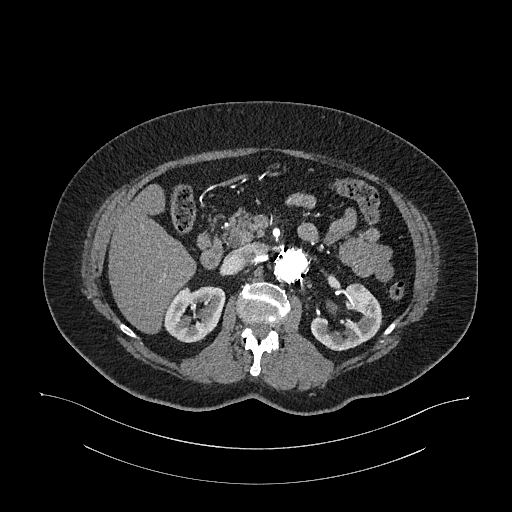
Axial slice 685 of 987 of a contrast-enhanced abdominal CT in the arterial phase (slice 1 is the lowest), 120 kVp, kernel I26f; 1.00 mm slice thickness and 0.977 mm pixels.
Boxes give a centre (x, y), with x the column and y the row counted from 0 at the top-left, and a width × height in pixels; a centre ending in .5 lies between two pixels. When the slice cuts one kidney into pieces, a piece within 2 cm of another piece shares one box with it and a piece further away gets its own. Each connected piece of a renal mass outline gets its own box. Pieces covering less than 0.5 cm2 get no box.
Two kidney boxes on this slice; by box centre, from the image's left to its right: (1) Right kidney, box centre (194.5, 314), 62 × 57 pixels (outlined area 2,562 px, about 24.4 cm2). (2) Left kidney, box centre (346, 317), 73 × 69 pixels (outlined area 2,786 px, about 26.6 cm2). This slice carries no renal mass outline.